Abdominal CT with intravenous contrast, arterial phase, axial plane, 130 kVp, kernel B30s. Slice 35/96 from the bottom of the scan; thickness 3.00 mm; pixel size 0.781 mm.
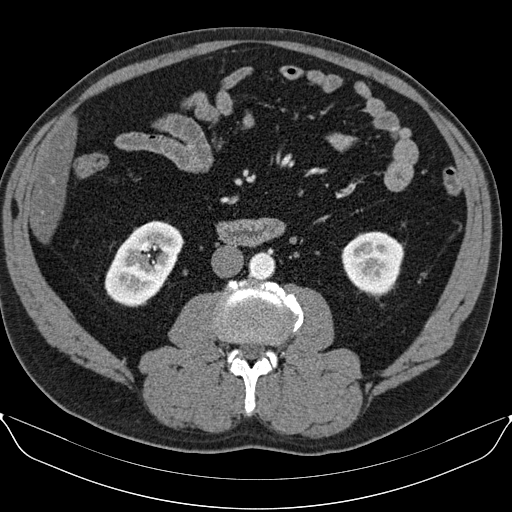
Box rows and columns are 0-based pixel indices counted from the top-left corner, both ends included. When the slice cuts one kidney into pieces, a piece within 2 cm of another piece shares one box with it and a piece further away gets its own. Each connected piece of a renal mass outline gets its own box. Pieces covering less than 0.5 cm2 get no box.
Two boxes on this slice (two kidney boxes), listed by box centre from the image's left to its right. (1) Right kidney, box rows 220–306, columns 104–184 (outlined area 4,549 px, about 27.8 cm2). (2) Left kidney at rows 231–299, columns 341–404 (outlined area 3,147 px, about 19.2 cm2). No renal mass outline on this slice.